Arterial-phase contrast-enhanced abdominal CT, axial slice 120 of 261 (counted from the lowest slice); tube voltage 120 kVp, convolution kernel I30f; slices 2.00 mm thick, 0.939 mm per pixel.
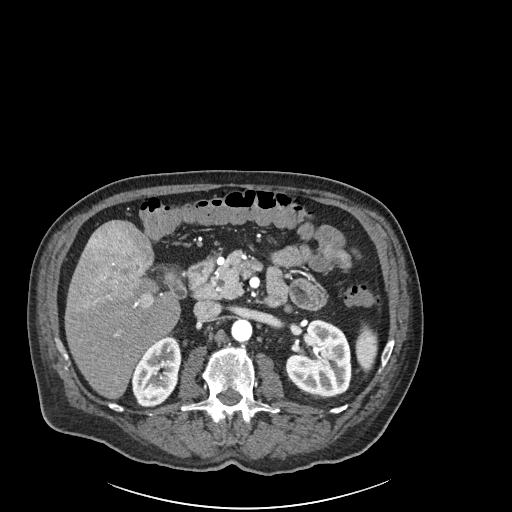
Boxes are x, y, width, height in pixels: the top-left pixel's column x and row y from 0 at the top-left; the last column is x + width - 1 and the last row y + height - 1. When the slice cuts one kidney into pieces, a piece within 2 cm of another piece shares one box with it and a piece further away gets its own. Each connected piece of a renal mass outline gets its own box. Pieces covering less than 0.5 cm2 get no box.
Boxed on this slice (two kidney boxes), listed by box centre from the image's left to its right: (1) Right kidney at x 131, y 335, width 51, height 73 (outlined area 2,602 px, about 23.0 cm2). (2) Left kidney at x 285, y 319, width 67, height 77 (outlined area 3,896 px, about 34.4 cm2). No renal mass is outlined on this slice.